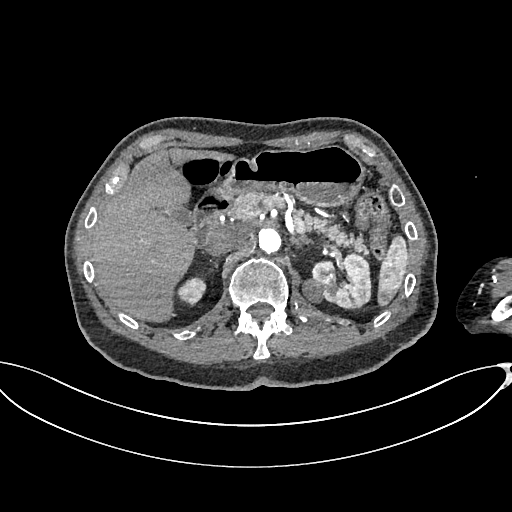
Arterial-phase contrast-enhanced abdominal CT, axial slice 455 of 665 (counted from the lowest slice); tube voltage 100 kVp, convolution kernel I26f; slices 1.00 mm thick, 0.828 mm per pixel.
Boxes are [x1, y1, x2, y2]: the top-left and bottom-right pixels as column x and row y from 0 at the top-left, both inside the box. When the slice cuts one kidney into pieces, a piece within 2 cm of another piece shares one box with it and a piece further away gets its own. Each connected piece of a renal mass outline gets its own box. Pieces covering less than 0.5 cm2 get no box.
Three boxes on this slice (two kidney boxes and one renal mass box), listed by box centre from the image's left to its right. (1) Right kidney at [174, 276, 206, 306] (outlined area 622 px, about 4.3 cm2). (2) Box [302, 278, 322, 302]: left renal mass (outlined area 409 px, about 2.8 cm2). (3) Left kidney at [312, 253, 371, 308] (outlined area 2,470 px, about 16.9 cm2).